Abdominal CT with intravenous contrast, axial plane, 120 kVp, kernel B. Slice 46/105 from the bottom of the scan; thickness 3.00 mm; pixel size 0.977 mm.
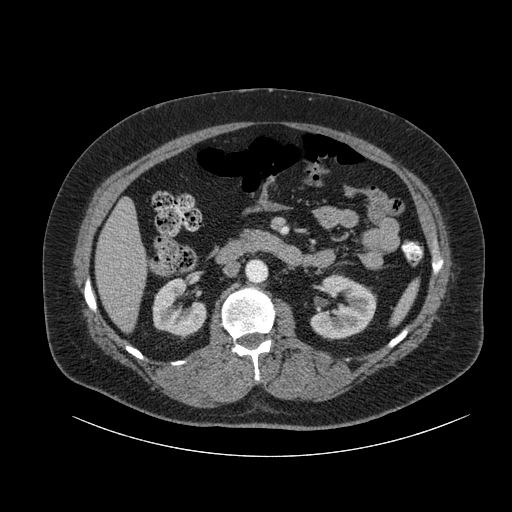
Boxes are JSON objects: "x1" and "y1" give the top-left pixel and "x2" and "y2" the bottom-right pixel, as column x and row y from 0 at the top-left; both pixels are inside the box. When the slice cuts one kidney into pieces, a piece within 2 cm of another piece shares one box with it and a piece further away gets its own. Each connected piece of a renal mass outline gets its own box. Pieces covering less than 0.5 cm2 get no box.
Two boxes on this slice (two kidney boxes), listed by box centre from the image's left to its right. (1) Right kidney, box {"x1": 152, "y1": 278, "x2": 206, "y2": 338} (outlined area 2,274 px, about 21.7 cm2). (2) Left kidney, box {"x1": 309, "y1": 274, "x2": 376, "y2": 340} (outlined area 3,090 px, about 29.5 cm2). No renal mass is outlined on this slice.